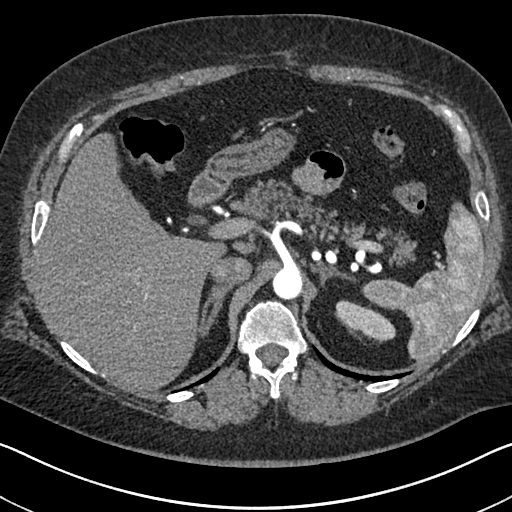
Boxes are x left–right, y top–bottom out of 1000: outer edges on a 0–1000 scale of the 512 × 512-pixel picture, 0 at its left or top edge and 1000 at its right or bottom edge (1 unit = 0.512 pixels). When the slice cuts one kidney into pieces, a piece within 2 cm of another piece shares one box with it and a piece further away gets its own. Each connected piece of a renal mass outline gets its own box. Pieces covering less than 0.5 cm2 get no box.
Slice 504/591 of a contrast-enhanced abdominal CT in the arterial phase, counting up from the lowest; pixel size 0.703 mm, slice thickness 1.00 mm. Left kidney at x 654–773, y 586–666 out of 1000 (outlined area 1,432 px, about 7.1 cm2). This slice carries no renal mass outline.
Acquired at 140 kVp and reconstructed with the I30f kernel.